Axial slice 457 of 723 of a contrast-enhanced abdominal CT in the arterial phase (slice 1 is the lowest), 120 kVp, kernel B30f; 1.00 mm slice thickness and 0.895 mm pixels.
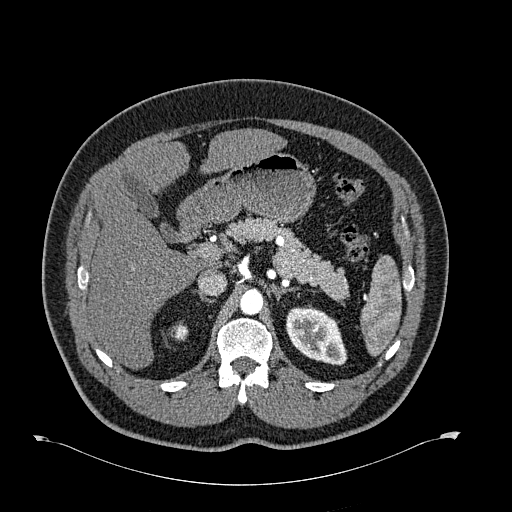
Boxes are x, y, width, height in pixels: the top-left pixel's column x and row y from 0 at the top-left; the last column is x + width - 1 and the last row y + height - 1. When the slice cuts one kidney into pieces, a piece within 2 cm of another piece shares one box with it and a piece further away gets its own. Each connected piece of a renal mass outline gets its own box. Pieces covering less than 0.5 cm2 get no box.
Two kidney boxes on this slice; by box centre, from the image's left to its right: (1) Right kidney, box x 170, y 324, width 19, height 17 (outlined area 250 px, about 2.0 cm2). (2) Left kidney, box x 285, y 306, width 63, height 60 (outlined area 2,603 px, about 20.8 cm2). This slice carries no renal mass outline.